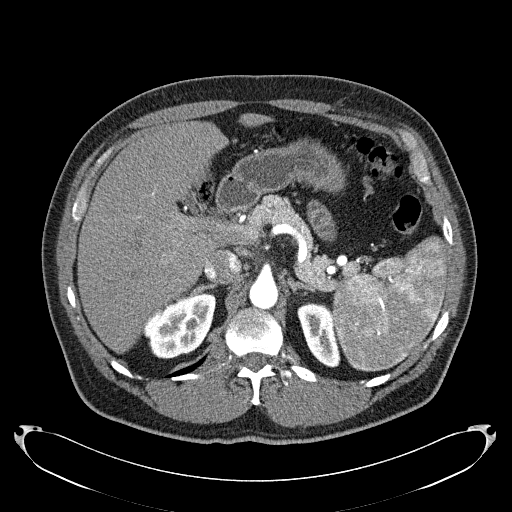
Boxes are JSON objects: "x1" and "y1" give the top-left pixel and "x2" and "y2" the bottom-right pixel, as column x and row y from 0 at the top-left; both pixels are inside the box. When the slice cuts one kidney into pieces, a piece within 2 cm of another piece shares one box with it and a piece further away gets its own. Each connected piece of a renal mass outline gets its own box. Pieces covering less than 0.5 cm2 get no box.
Arterial-phase contrast-enhanced abdominal CT, axial slice 160 of 279 (counted from the lowest slice); 2.00 mm thick, 0.824 mm per pixel. Two kidney boxes on this slice; by box centre, from the image's left to its right: (1) Right kidney, box {"x1": 140, "y1": 293, "x2": 216, "y2": 358} (outlined area 3,412 px, about 23.2 cm2). (2) Left kidney at {"x1": 297, "y1": 302, "x2": 340, "y2": 367} (outlined area 1,898 px, about 12.9 cm2). No renal mass is outlined on this slice.
Acquired at 120 kVp and reconstructed with the B31f kernel.